One axial slice (345 of 512, counting up from the lowest) of an arterial-phase abdominal CT acquired with 120 kVp, kernel B30f; each pixel is 0.771 mm and the slice is 1.00 mm thick.
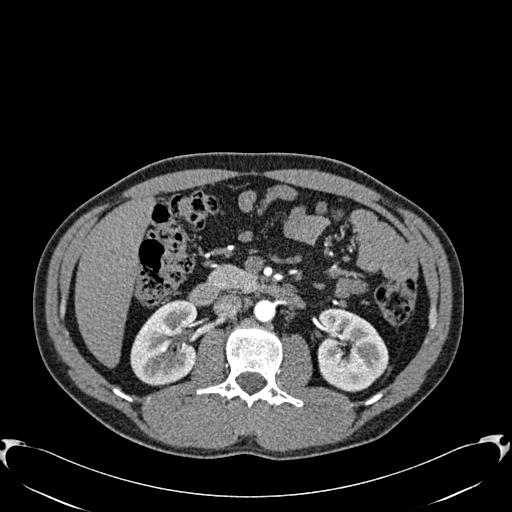
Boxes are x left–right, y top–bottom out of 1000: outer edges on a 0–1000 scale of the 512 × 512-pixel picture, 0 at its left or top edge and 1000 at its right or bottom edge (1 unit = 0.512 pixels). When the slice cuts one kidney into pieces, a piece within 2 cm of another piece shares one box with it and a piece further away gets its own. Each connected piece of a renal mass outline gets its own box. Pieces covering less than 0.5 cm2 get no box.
Two kidney boxes on this slice; by box centre, from the image's left to its right: (1) Box x 254–387, y 586–756 out of 1000: right kidney (outlined area 4,462 px, about 26.6 cm2). (2) Box x 619–760, y 602–768 out of 1000: left kidney (outlined area 4,591 px, about 27.3 cm2). No renal mass outline on this slice.